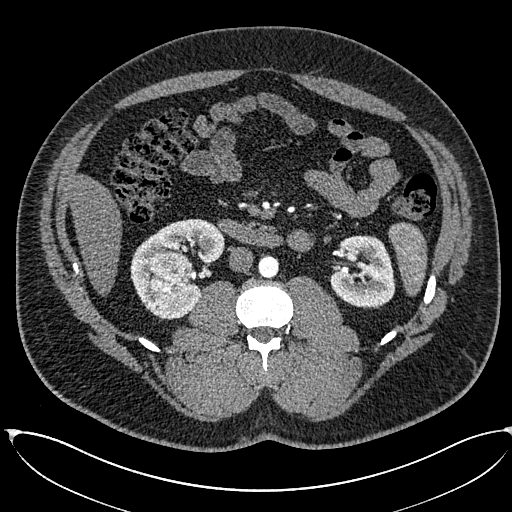
Arterial-phase contrast-enhanced abdominal CT, axial slice 316 of 673 (counted from the lowest slice); tube voltage 120 kVp, convolution kernel I30f; slices 1.00 mm thick, 0.855 mm per pixel.
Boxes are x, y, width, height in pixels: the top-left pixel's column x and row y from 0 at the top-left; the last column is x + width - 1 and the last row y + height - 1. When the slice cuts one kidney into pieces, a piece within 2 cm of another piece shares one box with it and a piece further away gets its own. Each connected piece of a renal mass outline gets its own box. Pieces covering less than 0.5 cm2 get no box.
Three boxes on this slice (two kidney boxes and one renal mass box), listed by box centre from the image's left to its right. (1) Right renal mass at x 148, y 252, width 45, height 60 (outlined area 2,289 px, about 16.8 cm2). (2) Box x 130, y 218, width 96, height 102: right kidney (outlined area 4,248 px, about 31.1 cm2). (3) Box x 329, y 235, width 67, height 74: left kidney (outlined area 3,742 px, about 27.4 cm2).